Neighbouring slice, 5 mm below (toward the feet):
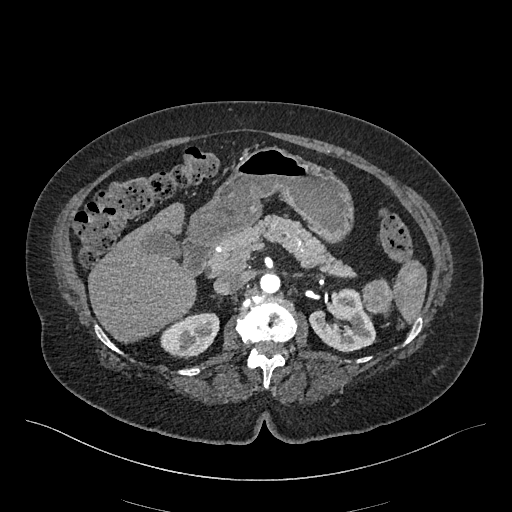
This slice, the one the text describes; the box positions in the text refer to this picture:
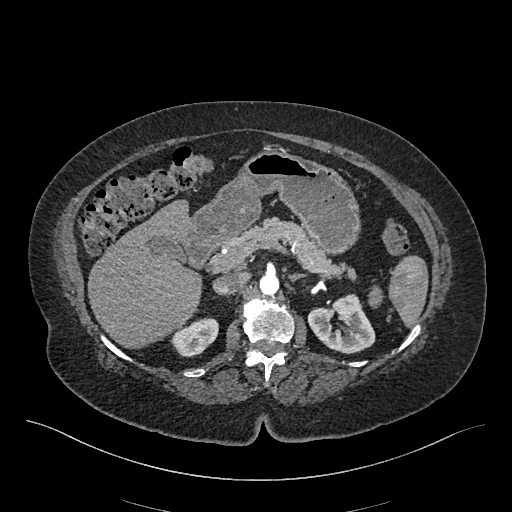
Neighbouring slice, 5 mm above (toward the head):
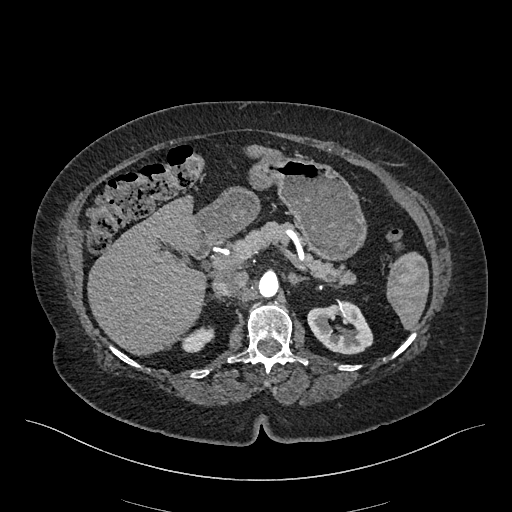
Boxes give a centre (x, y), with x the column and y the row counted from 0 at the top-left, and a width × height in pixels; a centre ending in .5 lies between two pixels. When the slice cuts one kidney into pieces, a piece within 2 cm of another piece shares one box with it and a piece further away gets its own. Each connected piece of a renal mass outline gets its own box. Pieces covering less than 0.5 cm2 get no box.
This is axial slice 304 of 548 (slice 1 is the lowest) of an arterial-phase abdominal CT with contrast; each pixel is 0.852 mm and the slice is 1.00 mm thick. Three boxes on this slice (two kidney boxes and one renal mass box), listed by box centre from the image's left to its right. (1) Box centre (194, 337), 49 × 41 pixels: right kidney (outlined area 1,309 px, about 9.5 cm2). (2) Left kidney in a box with centre (341, 323.5), 69 × 60 pixels (outlined area 2,714 px, about 19.7 cm2). (3) Left renal mass, box centre (375.5, 296.5), 16 × 24 pixels (outlined area 261 px, about 1.9 cm2). This slice is near the end of the left renal mass toward the head, so the slices 5 mm below and 5 mm above it are shown as well; the boxes refer to this slice only.
Acquired at 120 kVp and reconstructed with the I26f kernel.